Abdominal CT with intravenous contrast, arterial phase, axial plane, 120 kVp, kernel B30f. Slice 66/99 from the bottom of the scan; thickness 5.00 mm; pixel size 0.693 mm.
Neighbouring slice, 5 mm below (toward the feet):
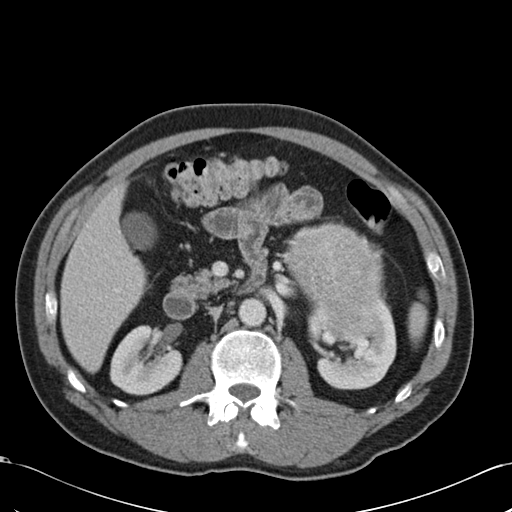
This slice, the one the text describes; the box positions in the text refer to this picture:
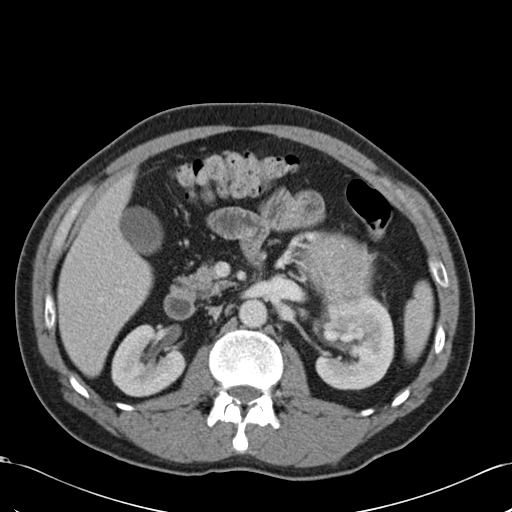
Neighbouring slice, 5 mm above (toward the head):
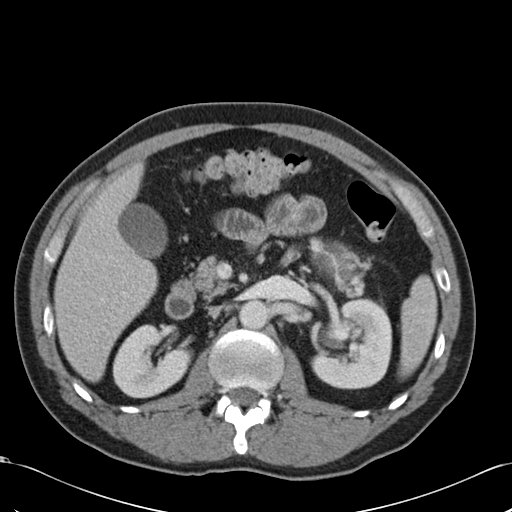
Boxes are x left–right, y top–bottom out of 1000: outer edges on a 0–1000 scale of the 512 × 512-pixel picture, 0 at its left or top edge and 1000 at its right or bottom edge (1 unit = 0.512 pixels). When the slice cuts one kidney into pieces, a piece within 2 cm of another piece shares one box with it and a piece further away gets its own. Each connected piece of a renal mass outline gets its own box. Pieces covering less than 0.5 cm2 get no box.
Boxed on this slice (two kidney boxes and one renal mass box), listed by box centre from the image's left to its right: (1) Right kidney at x 217–365, y 633–777 out of 1000 (outlined area 3,894 px, about 18.7 cm2). (2) Left renal mass at x 578–738, y 451–594 out of 1000 (outlined area 4,454 px, about 21.4 cm2). (3) Left kidney at x 615–771, y 572–764 out of 1000 (outlined area 5,872 px, about 28.2 cm2). This slice lies near the end of the left renal mass toward the head; the slices 5 mm below and 5 mm above it are shown too, and the boxes mark positions on this slice only.